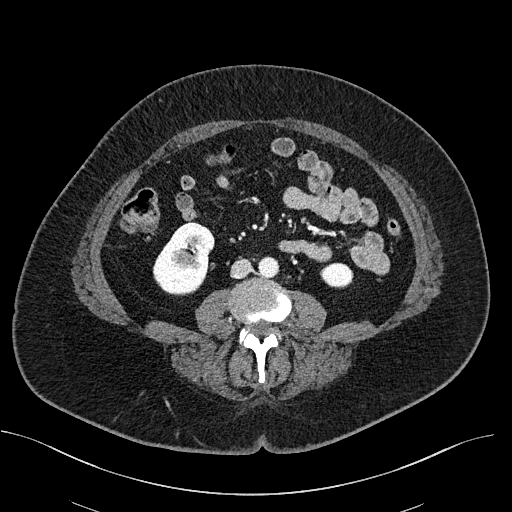
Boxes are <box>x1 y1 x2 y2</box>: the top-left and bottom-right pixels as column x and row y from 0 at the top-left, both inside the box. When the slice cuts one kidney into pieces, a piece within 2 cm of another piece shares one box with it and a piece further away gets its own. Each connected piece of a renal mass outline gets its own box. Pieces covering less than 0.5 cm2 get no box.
Slice 254/470 of a contrast-enhanced abdominal CT, counting up from the lowest; pixel size 0.824 mm, slice thickness 2.00 mm. Two kidney boxes on this slice; by box centre, from the image's left to its right: (1) At <box>153 221 214 295</box>: right kidney (outlined area 3,243 px, about 22.0 cm2). (2) At <box>320 262 353 286</box>: left kidney (outlined area 651 px, about 4.4 cm2). No renal mass outline on this slice.
Scan settings: 100 kVp, I40f reconstruction kernel.